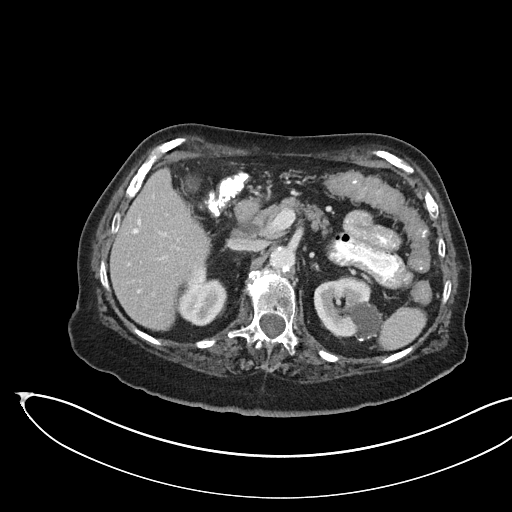
Abdominal CT with intravenous contrast, arterial phase, axial plane, 100 kVp, kernel I40f. Slice 107/145 from the bottom of the scan; thickness 3.00 mm; pixel size 0.834 mm.
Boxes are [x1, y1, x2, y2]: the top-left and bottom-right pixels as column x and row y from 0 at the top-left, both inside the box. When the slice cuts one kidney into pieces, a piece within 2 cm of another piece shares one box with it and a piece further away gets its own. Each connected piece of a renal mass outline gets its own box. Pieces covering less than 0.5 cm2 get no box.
Boxed on this slice (two kidney boxes), listed by box centre from the image's left to its right: (1) Box [178, 264, 226, 326]: kidney (outlined area 2,002 px, about 13.9 cm2). (2) Kidney at [313, 277, 383, 341] (outlined area 3,336 px, about 23.2 cm2). No renal mass is outlined on this slice.